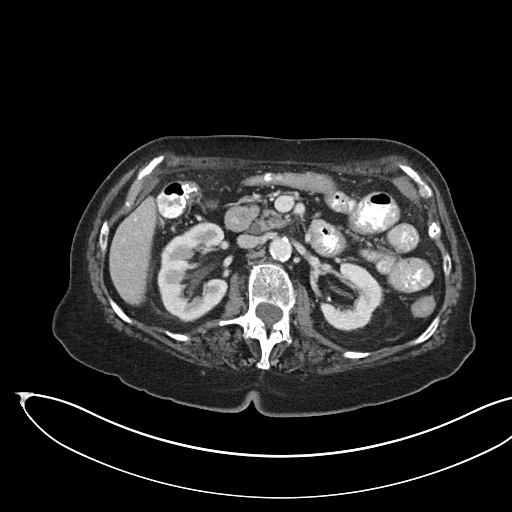
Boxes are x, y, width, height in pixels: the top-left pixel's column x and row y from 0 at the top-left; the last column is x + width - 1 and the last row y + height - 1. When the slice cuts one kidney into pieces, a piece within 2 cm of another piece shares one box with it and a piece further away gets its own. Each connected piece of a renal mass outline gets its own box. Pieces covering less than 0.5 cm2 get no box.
Arterial-phase contrast-enhanced abdominal CT, axial slice 100 of 145 (counted from the lowest slice); 3.00 mm thick, 0.834 mm per pixel. Two boxes on this slice (two kidney boxes), listed by box centre from the image's left to its right. (1) Kidney at x 157, y 222, width 72, height 100 (outlined area 5,018 px, about 34.9 cm2). (2) Kidney, box x 319, y 262, width 63, height 69 (outlined area 2,638 px, about 18.3 cm2). This slice carries no renal mass outline.
Tube voltage 100 kVp; convolution kernel I40f.